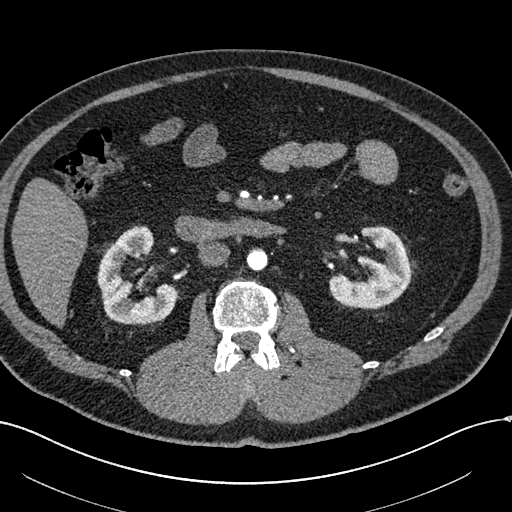
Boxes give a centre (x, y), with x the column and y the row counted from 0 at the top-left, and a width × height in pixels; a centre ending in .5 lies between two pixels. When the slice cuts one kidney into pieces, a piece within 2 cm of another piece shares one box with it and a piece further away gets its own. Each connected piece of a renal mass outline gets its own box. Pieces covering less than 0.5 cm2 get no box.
Arterial-phase contrast-enhanced abdominal CT, axial slice 319 of 602 (counted from the lowest slice); 1.00 mm thick, 0.799 mm per pixel. Two boxes on this slice (two kidney boxes), listed by box centre from the image's left to its right. (1) Box centre (137, 275.5), 81 × 100 pixels: right kidney (outlined area 4,797 px, about 30.6 cm2). (2) Left kidney, box centre (369.5, 267.5), 84 × 84 pixels (outlined area 4,062 px, about 25.9 cm2). No renal mass is outlined on this slice.
Scan settings: 120 kVp, I30f reconstruction kernel.